Axial slice 314 of 439 of a contrast-enhanced abdominal CT (slice 1 is the lowest), 100 kVp, kernel I40f; 2.00 mm slice thickness and 0.850 mm pixels.
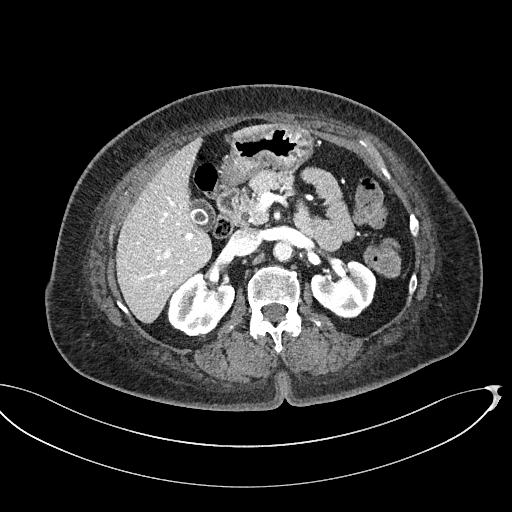
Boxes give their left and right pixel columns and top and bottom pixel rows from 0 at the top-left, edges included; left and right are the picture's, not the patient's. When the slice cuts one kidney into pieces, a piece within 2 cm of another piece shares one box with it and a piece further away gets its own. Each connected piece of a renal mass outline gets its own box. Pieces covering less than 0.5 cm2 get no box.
Two kidney boxes on this slice; by box centre, from the image's left to its right: (1) Right kidney, the box with left 168, top 273, right 234, bottom 336 (outlined area 3,045 px, about 22.0 cm2). (2) Left kidney, the box with left 310, top 260, right 376, bottom 318 (outlined area 2,806 px, about 20.3 cm2).